One axial slice (205 of 261, counting up from the lowest) of an arterial-phase abdominal CT acquired with 120 kVp, kernel I30f; each pixel is 0.939 mm and the slice is 2.00 mm thick.
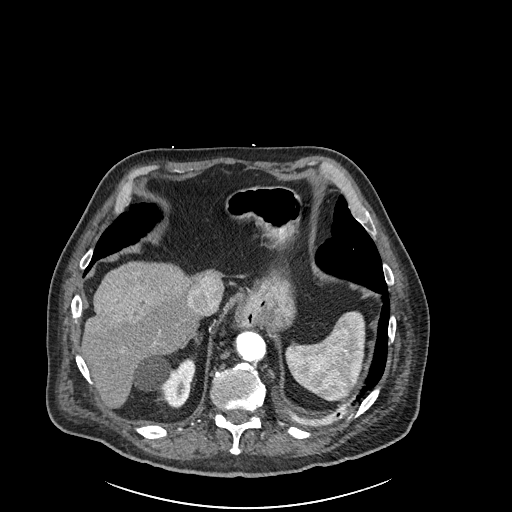
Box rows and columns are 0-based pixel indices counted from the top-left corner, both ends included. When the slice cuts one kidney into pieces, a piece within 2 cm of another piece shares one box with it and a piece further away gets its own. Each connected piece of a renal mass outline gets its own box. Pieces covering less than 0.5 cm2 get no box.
Right kidney, box rows 355–407, columns 132–195 (outlined area 2,208 px, about 19.5 cm2). This slice carries no renal mass outline.